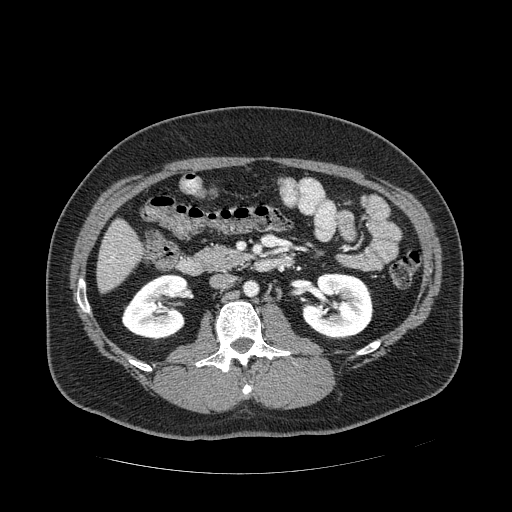
Abdominal CT with intravenous contrast, arterial phase, axial plane, 120 kVp, kernel STANDARD. Slice 250/389 from the bottom of the scan; thickness 1.25 mm; pixel size 0.869 mm.
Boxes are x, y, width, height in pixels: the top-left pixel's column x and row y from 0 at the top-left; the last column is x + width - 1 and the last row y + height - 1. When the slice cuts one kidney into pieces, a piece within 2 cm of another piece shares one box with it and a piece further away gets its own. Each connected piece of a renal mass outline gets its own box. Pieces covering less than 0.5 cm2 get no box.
Boxed on this slice (two kidney boxes), listed by box centre from the image's left to its right: (1) Right kidney, box x 121, y 274, width 69, height 69 (outlined area 3,268 px, about 24.7 cm2). (2) Left kidney, box x 302, y 273, width 72, height 67 (outlined area 3,701 px, about 28.0 cm2). No renal mass outline on this slice.